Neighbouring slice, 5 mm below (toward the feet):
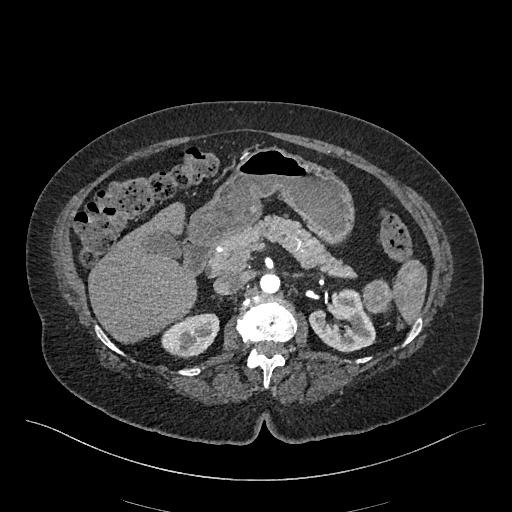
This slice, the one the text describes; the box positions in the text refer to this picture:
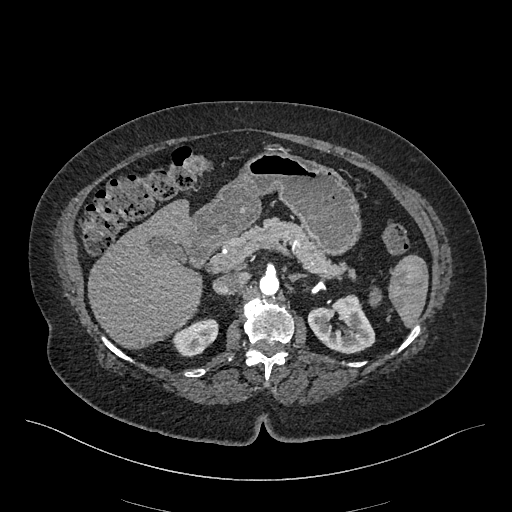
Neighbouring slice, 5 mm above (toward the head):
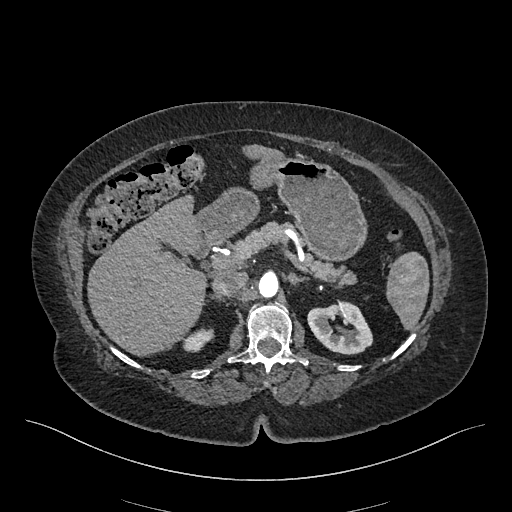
Arterial-phase contrast-enhanced abdominal CT, axial slice 305 of 548 (counted from the lowest slice); tube voltage 120 kVp, convolution kernel I26f; slices 1.00 mm thick, 0.852 mm per pixel.
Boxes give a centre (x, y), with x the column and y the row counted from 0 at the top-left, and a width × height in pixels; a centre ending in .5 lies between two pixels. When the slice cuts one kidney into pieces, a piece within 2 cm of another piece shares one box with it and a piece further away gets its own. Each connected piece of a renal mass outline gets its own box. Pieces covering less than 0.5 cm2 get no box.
Two kidney boxes and one renal mass box on this slice; by box centre, from the image's left to its right: (1) Box centre (195, 337.5), 47 × 40 pixels: right kidney (outlined area 1,244 px, about 9.0 cm2). (2) Left kidney, box centre (341, 323), 69 × 61 pixels (outlined area 2,721 px, about 19.7 cm2). (3) Left renal mass, box centre (375, 296.5), 13 × 20 pixels (outlined area 196 px, about 1.4 cm2). This slice is near the end of the left renal mass toward the head, so the slices 5 mm below and 5 mm above it are shown as well; the boxes refer to this slice only.